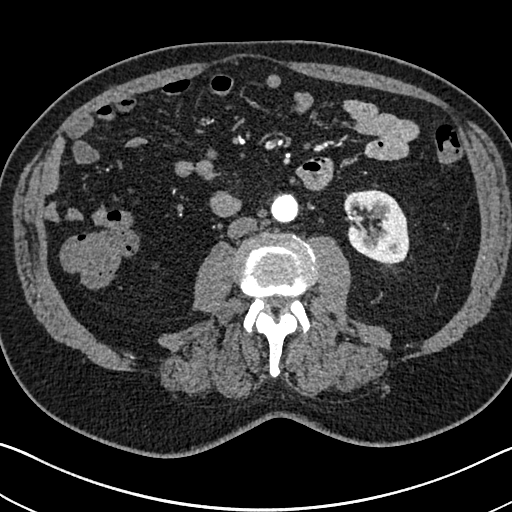
One axial slice (329 of 705, counting up from the lowest) of an arterial-phase abdominal CT acquired with 120 kVp, kernel I30f; each pixel is 0.703 mm and the slice is 1.00 mm thick.
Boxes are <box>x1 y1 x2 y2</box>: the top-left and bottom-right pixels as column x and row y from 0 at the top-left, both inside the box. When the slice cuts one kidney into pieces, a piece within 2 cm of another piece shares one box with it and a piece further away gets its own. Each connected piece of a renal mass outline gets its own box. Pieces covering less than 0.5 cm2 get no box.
Left kidney: <box>344 189 409 264</box> (outlined area 3,832 px, about 18.9 cm2). No renal mass is outlined on this slice.